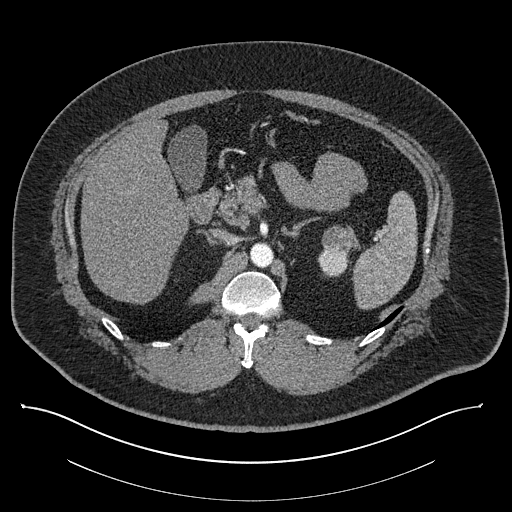
Abdominal CT with intravenous contrast, axial plane, 140 kVp, kernel I30f. Slice 558/787 from the bottom of the scan; thickness 1.00 mm; pixel size 0.910 mm.
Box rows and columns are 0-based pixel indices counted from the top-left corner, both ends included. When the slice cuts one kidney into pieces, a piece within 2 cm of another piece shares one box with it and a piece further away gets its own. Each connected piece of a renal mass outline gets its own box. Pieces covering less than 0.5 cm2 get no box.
Two boxes on this slice (one kidney box and one renal mass box), listed by box centre from the image's left to its right. (1) Box rows 247–277, columns 317–348: left kidney (outlined area 654 px, about 5.4 cm2). (2) Box rows 226–253, columns 322–354: left renal mass (outlined area 722 px, about 6.0 cm2).